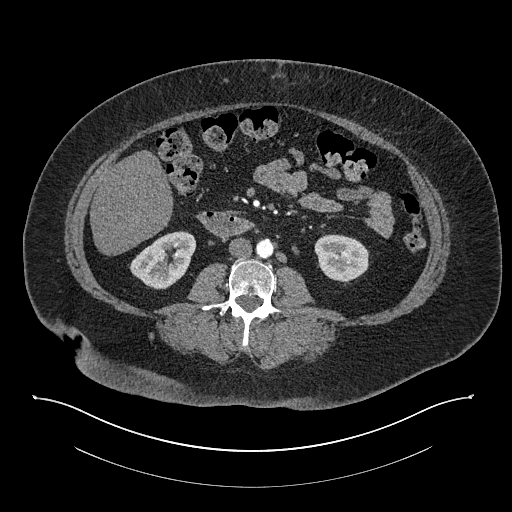
Abdominal CT with intravenous contrast, arterial phase, axial plane, 140 kVp, kernel I30f. Slice 386/673 from the bottom of the scan; thickness 1.00 mm; pixel size 0.957 mm.
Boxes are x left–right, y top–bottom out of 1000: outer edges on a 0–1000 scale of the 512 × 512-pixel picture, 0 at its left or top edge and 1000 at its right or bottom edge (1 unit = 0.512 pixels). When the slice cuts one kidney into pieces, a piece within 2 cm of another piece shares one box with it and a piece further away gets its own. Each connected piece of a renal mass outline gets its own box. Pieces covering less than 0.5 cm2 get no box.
Two boxes on this slice (two kidney boxes), listed by box centre from the image's left to its right. (1) Box x 252–385, y 451–566 out of 1000: right kidney (outlined area 2,622 px, about 24.0 cm2). (2) Left kidney, box x 613–721, y 457–553 out of 1000 (outlined area 2,075 px, about 19.0 cm2). No renal mass outline on this slice.